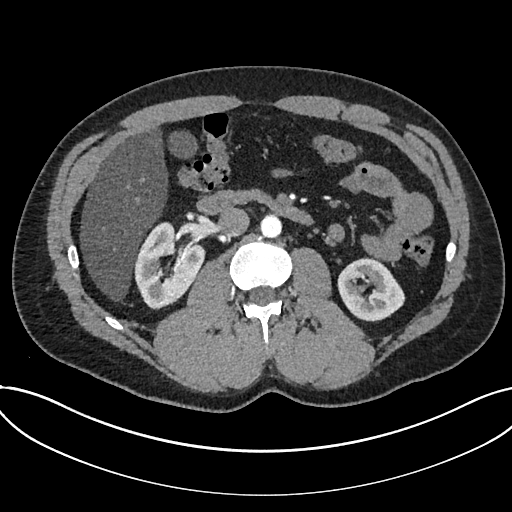
Axial slice 402 of 735 of a contrast-enhanced abdominal CT in the arterial phase (slice 1 is the lowest), 120 kVp, kernel I30f; 1.00 mm slice thickness and 0.789 mm pixels.
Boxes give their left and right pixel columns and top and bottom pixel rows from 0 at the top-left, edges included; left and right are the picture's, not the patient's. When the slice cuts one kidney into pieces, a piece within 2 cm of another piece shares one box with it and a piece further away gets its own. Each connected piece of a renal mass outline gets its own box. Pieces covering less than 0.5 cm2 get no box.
Boxed on this slice (two kidney boxes), listed by box centre from the image's left to its right: (1) Kidney in the box with left 134, top 222, right 204, bottom 309 (outlined area 4,202 px, about 26.2 cm2). (2) Kidney in the box with left 337, top 257, right 405, bottom 321 (outlined area 3,112 px, about 19.4 cm2). No renal mass is outlined on this slice.